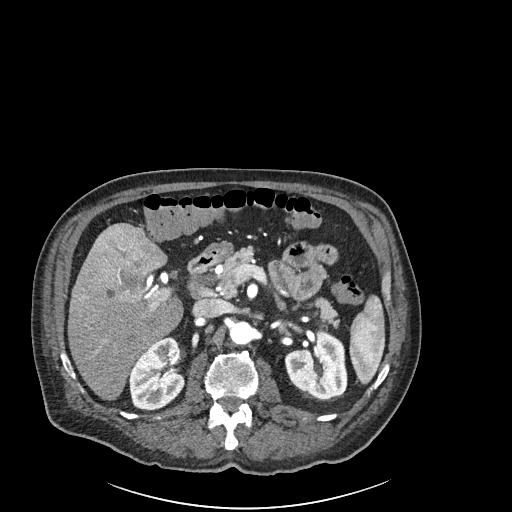
Axial slice 133 of 261 of a contrast-enhanced abdominal CT in the arterial phase (slice 1 is the lowest), 120 kVp, kernel I30f; 2.00 mm slice thickness and 0.939 mm pixels.
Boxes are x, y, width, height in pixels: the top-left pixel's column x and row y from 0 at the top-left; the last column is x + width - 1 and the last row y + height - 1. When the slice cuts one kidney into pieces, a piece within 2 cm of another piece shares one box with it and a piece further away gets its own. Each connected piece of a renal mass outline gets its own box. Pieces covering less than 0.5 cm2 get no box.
Boxed on this slice (two kidney boxes), listed by box centre from the image's left to its right: (1) Box x 129, y 337, width 57, height 74: right kidney (outlined area 3,021 px, about 26.7 cm2). (2) Box x 284, y 329, width 64, height 71: left kidney (outlined area 3,260 px, about 28.8 cm2). No renal mass outline on this slice.